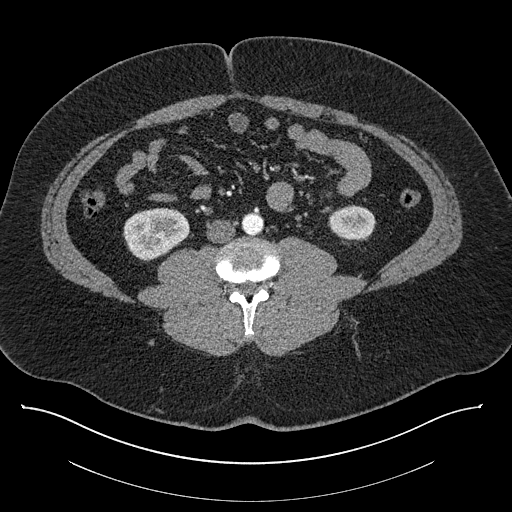
Axial slice 364 of 787 of a contrast-enhanced abdominal CT (slice 1 is the lowest), 140 kVp, kernel I30f; 1.00 mm slice thickness and 0.910 mm pixels.
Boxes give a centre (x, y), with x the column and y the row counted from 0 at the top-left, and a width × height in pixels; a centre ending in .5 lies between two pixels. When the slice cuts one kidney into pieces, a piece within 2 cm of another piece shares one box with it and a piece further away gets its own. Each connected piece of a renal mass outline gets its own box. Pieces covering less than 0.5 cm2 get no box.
Two kidney boxes on this slice; by box centre, from the image's left to its right: (1) Box centre (155.5, 234.5), 68 × 54 pixels: right kidney (outlined area 2,670 px, about 22.1 cm2). (2) Left kidney, box centre (352, 221.5), 49 × 36 pixels (outlined area 1,338 px, about 11.1 cm2). No renal mass is outlined on this slice.